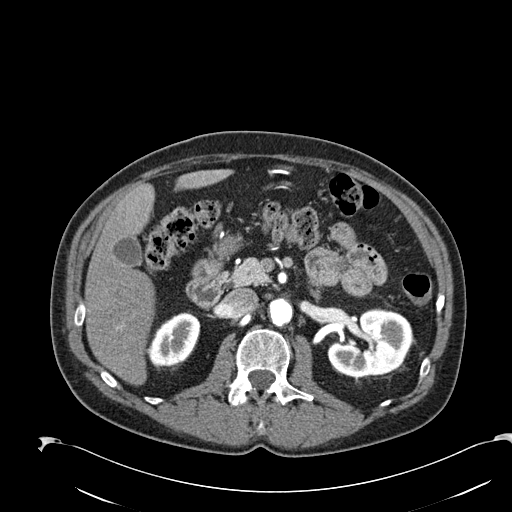
Axial slice 128 of 274 of a contrast-enhanced abdominal CT in the arterial phase (slice 1 is the lowest), 120 kVp, kernel B30f; 2.00 mm slice thickness and 0.809 mm pixels.
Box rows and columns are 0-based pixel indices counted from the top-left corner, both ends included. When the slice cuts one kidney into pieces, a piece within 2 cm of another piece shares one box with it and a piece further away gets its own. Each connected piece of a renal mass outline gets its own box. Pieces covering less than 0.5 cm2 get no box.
Two boxes on this slice (two kidney boxes), listed by box centre from the image's left to its right. (1) Box rows 313–366, columns 148–200: right kidney (outlined area 2,064 px, about 13.5 cm2). (2) Box rows 308–377, columns 327–413: left kidney (outlined area 4,283 px, about 28.0 cm2). No renal mass is outlined on this slice.